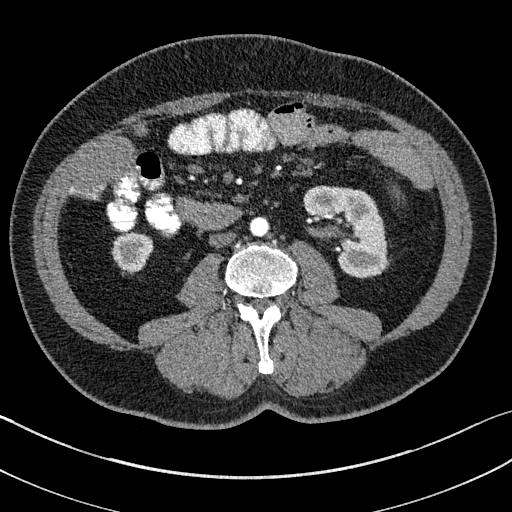
Arterial-phase contrast-enhanced abdominal CT, axial slice 59 of 195 (counted from the lowest slice); tube voltage 100 kVp, convolution kernel I31f; slices 1.50 mm thick, 0.707 mm per pixel.
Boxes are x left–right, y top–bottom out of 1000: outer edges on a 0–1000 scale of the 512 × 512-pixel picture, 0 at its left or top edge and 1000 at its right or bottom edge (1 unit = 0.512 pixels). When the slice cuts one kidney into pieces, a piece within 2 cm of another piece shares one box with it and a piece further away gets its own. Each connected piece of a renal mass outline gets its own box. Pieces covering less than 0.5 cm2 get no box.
Two boxes on this slice (two kidney boxes), listed by box centre from the image's left to its right. (1) Box x 219–301, y 451–533 out of 1000: right kidney (outlined area 1,288 px, about 6.4 cm2). (2) Box x 592–760, y 363–543 out of 1000: left kidney (outlined area 4,957 px, about 24.8 cm2). No renal mass outline on this slice.